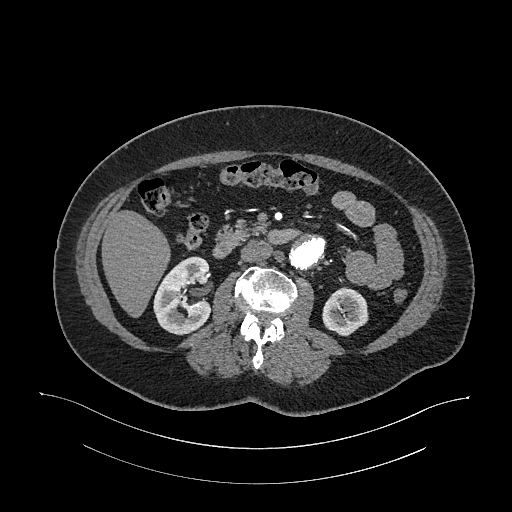
One axial slice (614 of 987, counting up from the lowest) of an arterial-phase abdominal CT acquired with 120 kVp, kernel I26f; each pixel is 0.977 mm and the slice is 1.00 mm thick.
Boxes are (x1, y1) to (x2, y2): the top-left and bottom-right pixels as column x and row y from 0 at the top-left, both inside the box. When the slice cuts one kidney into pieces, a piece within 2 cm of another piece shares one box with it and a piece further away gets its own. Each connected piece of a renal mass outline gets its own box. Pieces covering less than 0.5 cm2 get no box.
Boxed on this slice (two kidney boxes), listed by box centre from the image's left to its right: (1) Box (153, 256) to (211, 335): right kidney (outlined area 3,448 px, about 32.9 cm2). (2) Left kidney from (322, 287) to (368, 336) (outlined area 1,721 px, about 16.4 cm2). No renal mass outline on this slice.